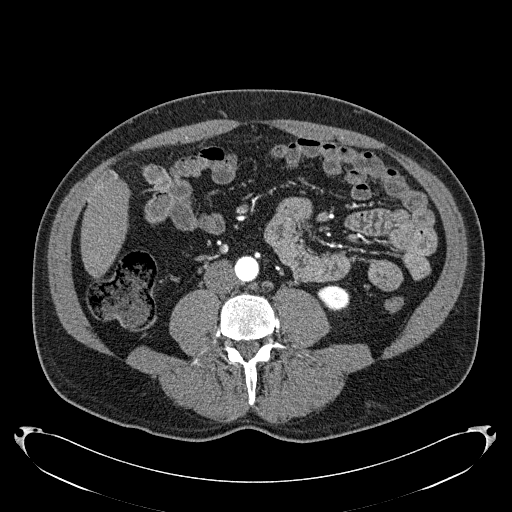
One axial slice (64 of 279, counting up from the lowest) of an arterial-phase abdominal CT acquired with 120 kVp, kernel B31f; each pixel is 0.824 mm and the slice is 2.00 mm thick.
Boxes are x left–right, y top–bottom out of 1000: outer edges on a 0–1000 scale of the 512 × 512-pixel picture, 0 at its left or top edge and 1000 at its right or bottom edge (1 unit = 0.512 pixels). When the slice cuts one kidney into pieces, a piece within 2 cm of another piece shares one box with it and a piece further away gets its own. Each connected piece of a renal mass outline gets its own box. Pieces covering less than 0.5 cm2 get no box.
Left kidney at x 619–686, y 557–609 out of 1000 (outlined area 667 px, about 4.5 cm2). This slice carries no renal mass outline.